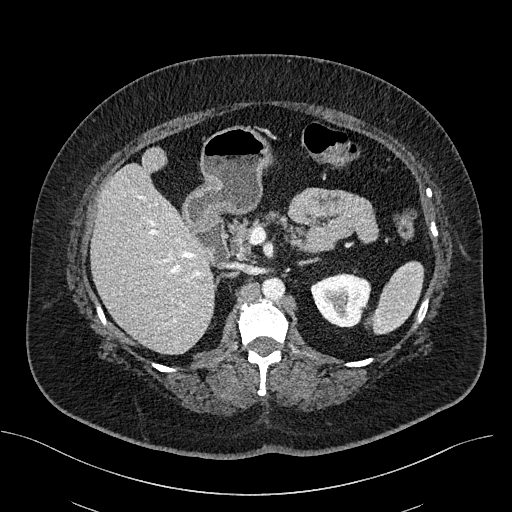
Contrast-enhanced abdominal CT, axial slice 328 of 470 (counted from the lowest slice); tube voltage 100 kVp, convolution kernel I40f; slices 2.00 mm thick, 0.824 mm per pixel.
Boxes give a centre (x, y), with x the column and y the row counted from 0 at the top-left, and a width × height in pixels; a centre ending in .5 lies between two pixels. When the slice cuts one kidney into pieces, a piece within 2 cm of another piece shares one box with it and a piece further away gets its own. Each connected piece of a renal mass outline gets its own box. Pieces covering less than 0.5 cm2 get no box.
Left kidney, box centre (340.5, 300), 62 × 55 pixels (outlined area 2,474 px, about 16.8 cm2). No renal mass is outlined on this slice.